Axial slice 198 of 325 of a contrast-enhanced abdominal CT in the arterial phase (slice 1 is the lowest), 100 kVp, kernel I30f; 1.00 mm slice thickness and 0.703 mm pixels.
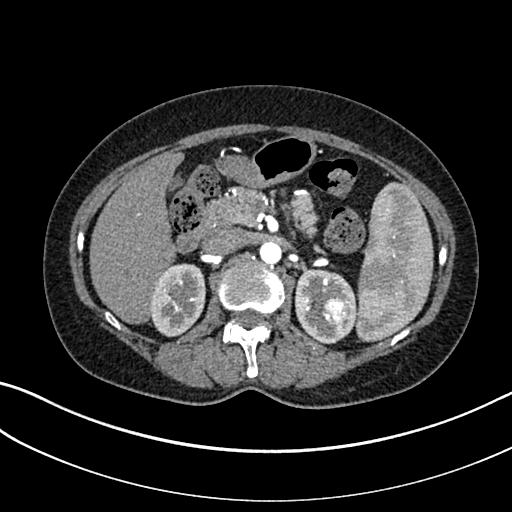
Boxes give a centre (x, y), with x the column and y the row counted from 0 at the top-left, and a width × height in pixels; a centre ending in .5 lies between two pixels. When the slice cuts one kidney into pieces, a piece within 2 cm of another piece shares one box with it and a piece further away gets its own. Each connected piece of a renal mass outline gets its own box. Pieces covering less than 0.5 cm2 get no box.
Two kidney boxes and one renal mass box on this slice; by box centre, from the image's left to its right: (1) Box centre (177.5, 300), 56 × 75 pixels: right kidney (outlined area 3,254 px, about 16.1 cm2). (2) Left kidney in a box with centre (325.5, 306), 62 × 77 pixels (outlined area 3,114 px, about 15.4 cm2). (3) Left renal mass in a box with centre (334, 311), 27 × 31 pixels (outlined area 634 px, about 3.1 cm2).